Contrast-enhanced abdominal CT, axial slice 72 of 146 (counted from the lowest slice); tube voltage 120 kVp, convolution kernel B41f; slices 5.00 mm thick, 0.840 mm per pixel.
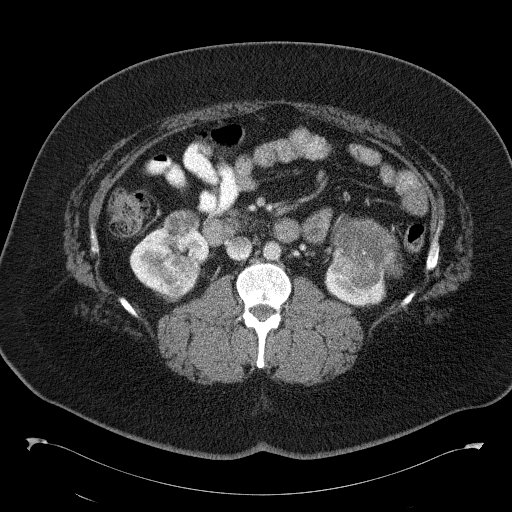
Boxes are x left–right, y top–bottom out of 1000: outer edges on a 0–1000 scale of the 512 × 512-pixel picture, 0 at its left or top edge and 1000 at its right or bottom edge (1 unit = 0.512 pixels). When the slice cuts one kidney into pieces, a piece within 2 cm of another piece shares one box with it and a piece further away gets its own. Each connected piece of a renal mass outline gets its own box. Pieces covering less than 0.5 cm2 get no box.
Six boxes on this slice (two kidney boxes and four renal mass boxes), listed by box centre from the image's left to its right. (1) Kidney, box x 252–408, y 443–586 out of 1000 (outlined area 3,066 px, about 21.6 cm2). (2) Box x 324–352, y 564–592 out of 1000: renal mass (outlined area 160 px, about 1.1 cm2). (3) Box x 318–391, y 408–469 out of 1000: renal mass (outlined area 827 px, about 5.8 cm2). (4) Renal mass at x 318–393, y 500–543 out of 1000 (outlined area 716 px, about 5.1 cm2). (5) Kidney, box x 635–754, y 484–598 out of 1000 (outlined area 2,041 px, about 14.4 cm2). (6) Renal mass at x 652–787, y 420–543 out of 1000 (outlined area 2,954 px, about 20.8 cm2).